Contrast-enhanced abdominal CT, axial slice 317 of 734 (counted from the lowest slice); tube voltage 120 kVp, convolution kernel B31f; slices 2.00 mm thick, 0.971 mm per pixel.
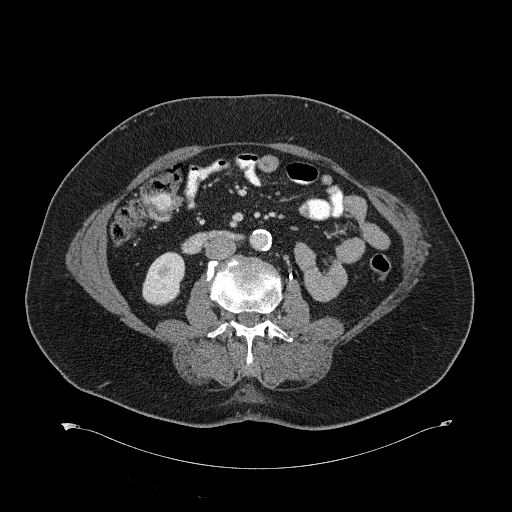
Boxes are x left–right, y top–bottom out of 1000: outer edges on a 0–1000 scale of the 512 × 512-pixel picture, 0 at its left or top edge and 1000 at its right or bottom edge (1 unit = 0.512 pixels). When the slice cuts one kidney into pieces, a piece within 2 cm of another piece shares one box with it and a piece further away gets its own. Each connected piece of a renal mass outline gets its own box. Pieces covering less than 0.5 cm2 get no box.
Box x 277–363, y 490–598 out of 1000: right kidney (outlined area 1,747 px, about 16.5 cm2). This slice carries no renal mass outline.